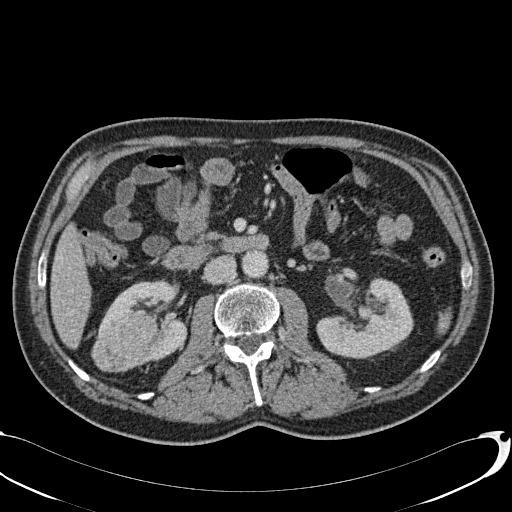
One axial slice (38 of 113, counting up from the lowest) of a contrast-enhanced abdominal CT acquired with 120 kVp, kernel B31f; each pixel is 0.742 mm and the slice is 2.00 mm thick.
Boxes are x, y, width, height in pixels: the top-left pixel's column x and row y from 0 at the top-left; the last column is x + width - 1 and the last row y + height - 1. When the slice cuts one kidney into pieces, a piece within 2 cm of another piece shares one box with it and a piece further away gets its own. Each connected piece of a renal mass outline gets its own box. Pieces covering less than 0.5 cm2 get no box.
Two kidney boxes and one renal mass box on this slice; by box centre, from the image's left to its right: (1) Right renal mass at x 90, y 308, width 67, height 65 (outlined area 3,241 px, about 17.9 cm2). (2) Box x 101, y 279, width 87, height 85: right kidney (outlined area 3,091 px, about 17.0 cm2). (3) Left kidney, box x 316, y 277, width 98, height 82 (outlined area 5,314 px, about 29.3 cm2).